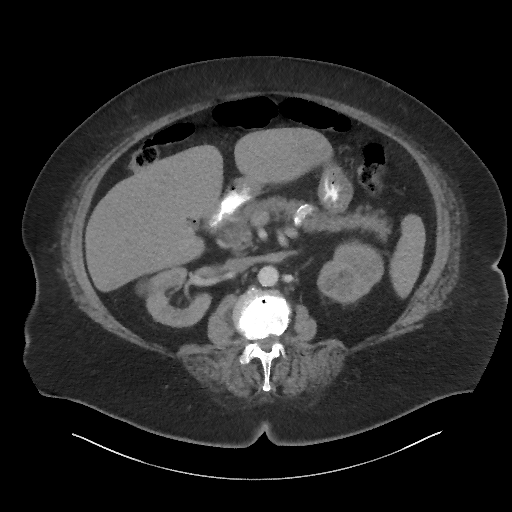
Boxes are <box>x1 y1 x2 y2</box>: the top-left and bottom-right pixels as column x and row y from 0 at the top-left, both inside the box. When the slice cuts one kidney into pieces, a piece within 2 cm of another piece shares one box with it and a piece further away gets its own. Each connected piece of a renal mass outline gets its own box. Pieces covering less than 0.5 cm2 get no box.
Slice 39/86 of a contrast-enhanced abdominal CT, counting up from the lowest; pixel size 0.977 mm, slice thickness 3.00 mm. Boxed on this slice (two kidney boxes), listed by box centre from the image's left to its right: (1) Right kidney at <box>137 268 212 327</box> (outlined area 2,837 px, about 27.1 cm2). (2) At <box>317 242 383 304</box>: left kidney (outlined area 2,964 px, about 28.3 cm2). No renal mass is outlined on this slice.
Acquired at 140 kVp and reconstructed with the I44f kernel.